Abdominal CT with intravenous contrast, arterial phase, axial plane, 120 kVp, kernel FC12. Slice 96/117 from the bottom of the scan; thickness 3.00 mm; pixel size 0.518 mm.
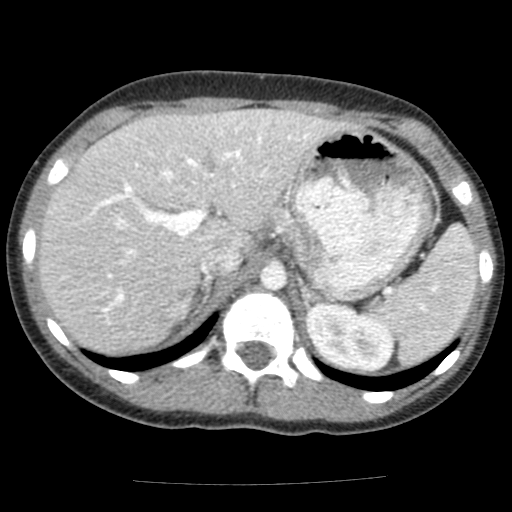
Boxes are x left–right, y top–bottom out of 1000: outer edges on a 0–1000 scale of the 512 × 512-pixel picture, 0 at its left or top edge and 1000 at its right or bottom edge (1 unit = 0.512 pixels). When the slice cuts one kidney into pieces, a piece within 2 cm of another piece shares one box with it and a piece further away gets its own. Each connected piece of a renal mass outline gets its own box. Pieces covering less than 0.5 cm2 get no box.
Boxed on this slice (two kidney boxes), listed by box centre from the image's left to its right: (1) Box x 342–377, y 580–623 out of 1000: right kidney (outlined area 232 px, about 0.6 cm2). (2) Left kidney at x 598–771, y 594–725 out of 1000 (outlined area 4,348 px, about 11.7 cm2). This slice carries no renal mass outline.